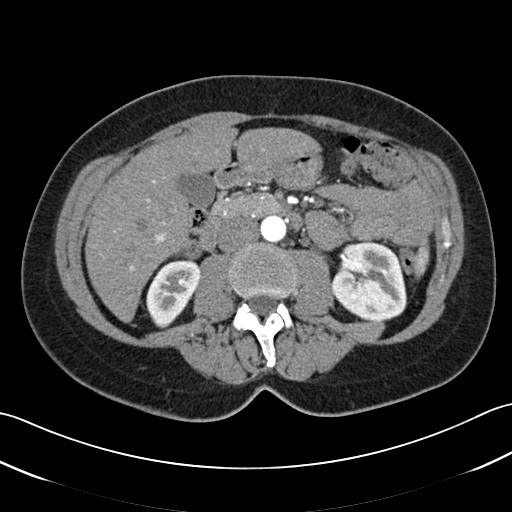
One axial slice (17 of 52, counting up from the lowest) of an arterial-phase abdominal CT acquired with 120 kVp, kernel B30f; each pixel is 0.678 mm and the slice is 3.00 mm thick.
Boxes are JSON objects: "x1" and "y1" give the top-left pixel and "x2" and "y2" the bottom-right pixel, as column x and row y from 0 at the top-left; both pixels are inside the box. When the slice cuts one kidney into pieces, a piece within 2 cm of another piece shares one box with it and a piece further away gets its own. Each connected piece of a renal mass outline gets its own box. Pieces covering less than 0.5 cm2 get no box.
Two boxes on this slice (two kidney boxes), listed by box centre from the image's left to its right. (1) Right kidney at {"x1": 146, "y1": 259, "x2": 199, "y2": 327} (outlined area 2,549 px, about 11.7 cm2). (2) Box {"x1": 331, "y1": 241, "x2": 406, "y2": 321}: left kidney (outlined area 4,785 px, about 22.0 cm2). No renal mass outline on this slice.